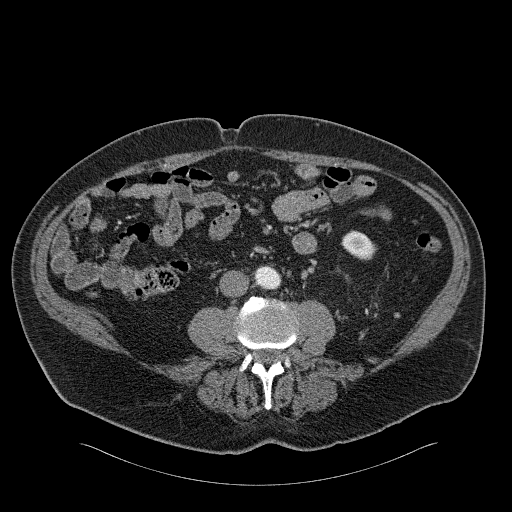
Axial slice 59 of 326 of a contrast-enhanced abdominal CT in the arterial phase (slice 1 is the lowest), 120 kVp, kernel B31f; 2.00 mm slice thickness and 0.963 mm pixels.
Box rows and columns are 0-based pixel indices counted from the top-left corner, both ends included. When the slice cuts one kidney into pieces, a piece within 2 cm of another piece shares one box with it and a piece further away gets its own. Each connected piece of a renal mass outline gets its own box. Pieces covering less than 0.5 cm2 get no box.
Box rows 230–260, columns 341–376: left kidney (outlined area 727 px, about 6.7 cm2). No renal mass outline on this slice.